One axial slice (107 of 301, counting up from the lowest) of a contrast-enhanced abdominal CT acquired with 120 kVp, kernel I40f; each pixel is 0.859 mm and the slice is 2.00 mm thick.
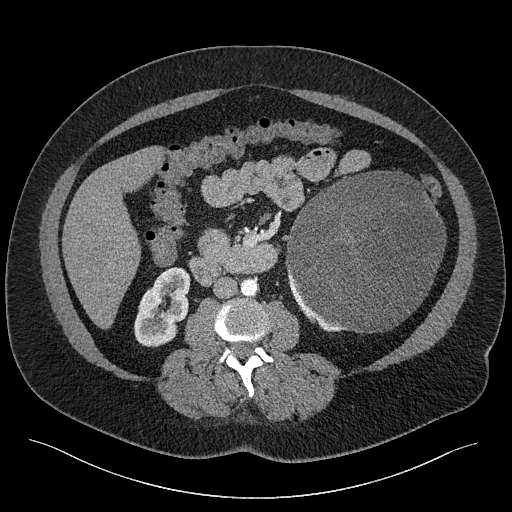
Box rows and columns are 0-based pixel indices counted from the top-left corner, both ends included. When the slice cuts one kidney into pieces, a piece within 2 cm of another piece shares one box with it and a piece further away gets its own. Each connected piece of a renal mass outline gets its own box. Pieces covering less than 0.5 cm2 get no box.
Two kidney boxes and one renal mass box on this slice; by box centre, from the image's left to its right: (1) Box rows 267–347, columns 134–190: right kidney (outlined area 3,175 px, about 23.4 cm2). (2) Left kidney, box rows 266–331, columns 286–342 (outlined area 456 px, about 3.4 cm2). (3) Left renal mass, box rows 171–333, columns 285–446 (outlined area 19,921 px, about 147.1 cm2).